Axial slice 127 of 163 of a contrast-enhanced abdominal CT (slice 1 is the lowest), 100 kVp, kernel I40f; 3.00 mm slice thickness and 0.799 mm pixels.
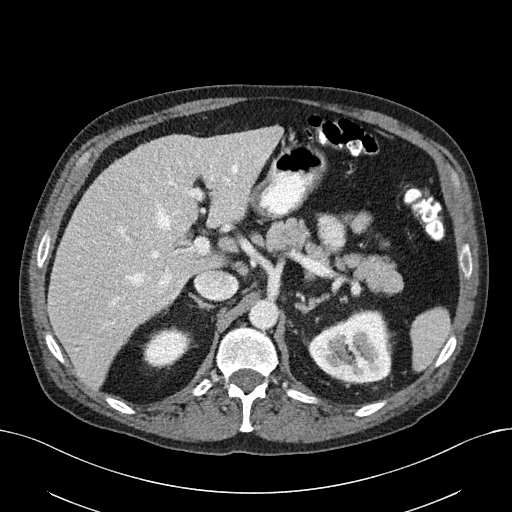
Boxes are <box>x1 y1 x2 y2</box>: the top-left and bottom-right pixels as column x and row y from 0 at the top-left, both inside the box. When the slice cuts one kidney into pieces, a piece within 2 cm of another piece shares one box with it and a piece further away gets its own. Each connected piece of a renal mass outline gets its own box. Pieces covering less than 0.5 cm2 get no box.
Boxed on this slice (two kidney boxes), listed by box centre from the image's left to its right: (1) Right kidney: <box>144 328 190 367</box> (outlined area 1,359 px, about 8.7 cm2). (2) Left kidney at <box>308 310 391 384</box> (outlined area 4,624 px, about 29.5 cm2). This slice carries no renal mass outline.